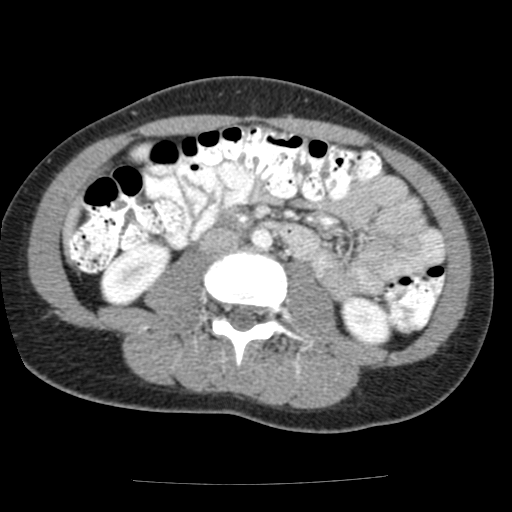
Axial slice 69 of 117 of a contrast-enhanced abdominal CT in the arterial phase (slice 1 is the lowest), 120 kVp, kernel FC12; 3.00 mm slice thickness and 0.518 mm pixels.
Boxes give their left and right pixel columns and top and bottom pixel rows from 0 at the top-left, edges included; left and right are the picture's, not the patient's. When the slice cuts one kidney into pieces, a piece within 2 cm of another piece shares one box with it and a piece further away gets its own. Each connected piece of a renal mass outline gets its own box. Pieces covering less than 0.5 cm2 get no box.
Two boxes on this slice (two kidney boxes), listed by box centre from the image's left to its right. (1) Right kidney in the box with left 99, top 243, right 172, bottom 305 (outlined area 3,016 px, about 8.1 cm2). (2) Left kidney, the box with left 339, top 296, right 392, bottom 346 (outlined area 1,944 px, about 5.2 cm2). No renal mass outline on this slice.